Contrast-enhanced abdominal CT, axial slice 68 of 99 (counted from the lowest slice); tube voltage 120 kVp, convolution kernel B31f; slices 5.00 mm thick, 0.742 mm per pixel.
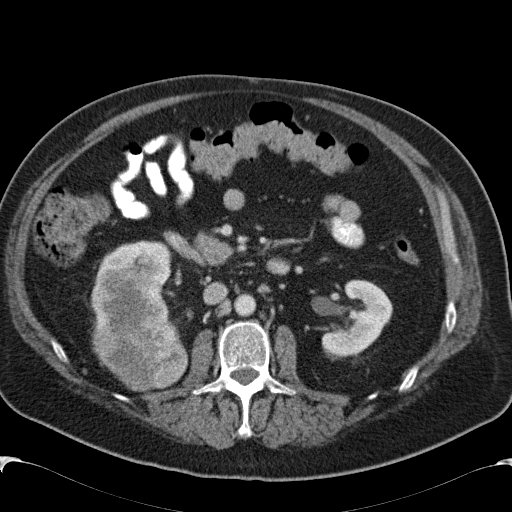
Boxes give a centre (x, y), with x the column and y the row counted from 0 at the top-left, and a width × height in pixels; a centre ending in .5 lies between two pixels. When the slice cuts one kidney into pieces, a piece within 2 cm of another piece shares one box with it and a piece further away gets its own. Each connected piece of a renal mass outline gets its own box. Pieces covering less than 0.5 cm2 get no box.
Boxed on this slice (two kidney boxes and one renal mass box), listed by box centre from the image's left to its right: (1) Box centre (134.5, 279.5), 74 × 80 pixels: right kidney (outlined area 2,004 px, about 11.0 cm2). (2) Right renal mass, box centre (139, 328.5), 97 × 126 pixels (outlined area 8,892 px, about 49.0 cm2). (3) Left kidney, box centre (357, 319.5), 71 × 82 pixels (outlined area 3,623 px, about 20.0 cm2).